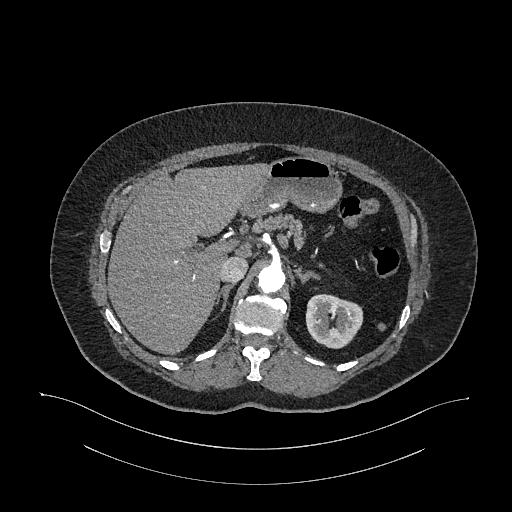
Axial slice 762 of 987 of a contrast-enhanced abdominal CT in the arterial phase (slice 1 is the lowest), 120 kVp, kernel I26f; 1.00 mm slice thickness and 0.977 mm pixels.
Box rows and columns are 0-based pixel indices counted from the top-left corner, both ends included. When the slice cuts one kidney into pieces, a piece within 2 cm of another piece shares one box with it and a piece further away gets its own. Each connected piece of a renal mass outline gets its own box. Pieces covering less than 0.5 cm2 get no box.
Box rows 294–348, columns 305–363: left kidney (outlined area 2,446 px, about 23.3 cm2). No renal mass is outlined on this slice.